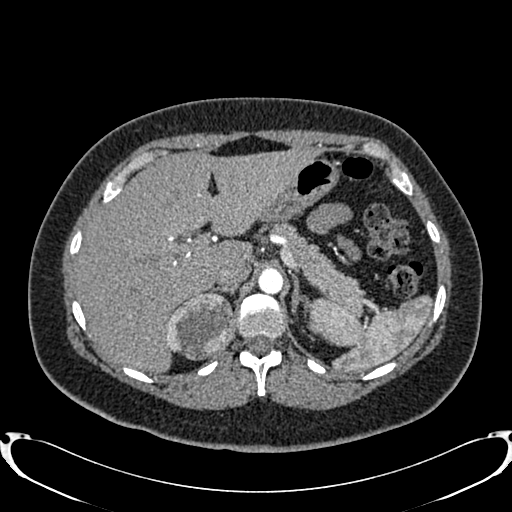
Axial slice 595 of 719 of a contrast-enhanced abdominal CT in the arterial phase (slice 1 is the lowest), 120 kVp, kernel B20f; 1.00 mm slice thickness and 0.766 mm pixels.
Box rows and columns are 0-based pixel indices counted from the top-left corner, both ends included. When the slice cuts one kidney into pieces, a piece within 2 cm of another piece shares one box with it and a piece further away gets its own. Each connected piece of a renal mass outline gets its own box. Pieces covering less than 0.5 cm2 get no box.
Two boxes on this slice (one kidney box and one renal mass box), listed by box centre from the image's left to its right. (1) Right renal mass, box rows 291–360, columns 166–235 (outlined area 3,683 px, about 21.6 cm2). (2) Left kidney, box rows 318–331, columns 308–319 (outlined area 127 px, about 0.7 cm2).